Axial slice 66 of 97 of a contrast-enhanced abdominal CT (slice 1 is the lowest), 120 kVp, kernel B30f; 5.00 mm slice thickness and 0.664 mm pixels.
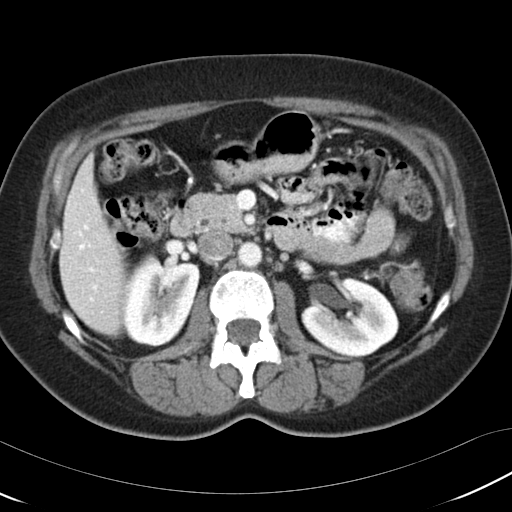
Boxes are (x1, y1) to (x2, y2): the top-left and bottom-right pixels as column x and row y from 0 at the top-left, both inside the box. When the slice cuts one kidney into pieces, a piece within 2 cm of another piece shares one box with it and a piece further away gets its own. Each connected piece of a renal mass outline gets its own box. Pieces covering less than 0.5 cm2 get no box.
Two boxes on this slice (two kidney boxes), listed by box centre from the image's left to its right. (1) Right kidney, box (123, 252) to (200, 346) (outlined area 5,562 px, about 24.5 cm2). (2) Box (301, 278) to (398, 356): left kidney (outlined area 5,374 px, about 23.7 cm2). No renal mass is outlined on this slice.